Axial slice 273 of 512 of a contrast-enhanced abdominal CT in the arterial phase (slice 1 is the lowest), 120 kVp, kernel B30f; 1.00 mm slice thickness and 0.771 mm pixels.
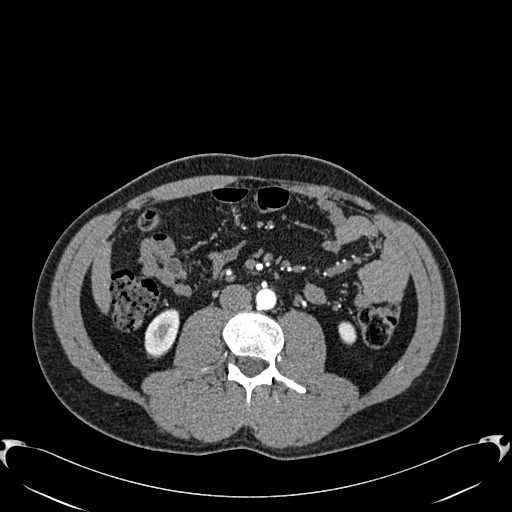
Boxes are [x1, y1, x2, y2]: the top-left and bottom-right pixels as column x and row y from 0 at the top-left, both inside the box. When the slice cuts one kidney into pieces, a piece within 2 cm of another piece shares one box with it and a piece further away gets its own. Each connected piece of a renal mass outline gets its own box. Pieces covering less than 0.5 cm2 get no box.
Two boxes on this slice (two kidney boxes), listed by box centre from the image's left to its right. (1) Right kidney at [144, 308, 179, 357] (outlined area 1,278 px, about 7.6 cm2). (2) Box [338, 321, 356, 345]: left kidney (outlined area 350 px, about 2.1 cm2). No renal mass outline on this slice.